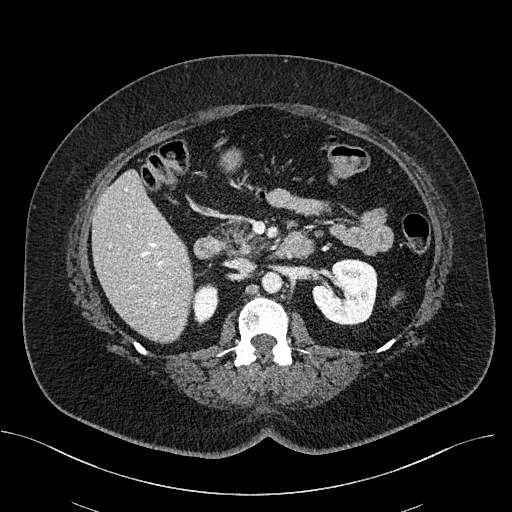
One axial slice (307 of 470, counting up from the lowest) of a contrast-enhanced abdominal CT acquired with 100 kVp, kernel I40f; each pixel is 0.824 mm and the slice is 2.00 mm thick.
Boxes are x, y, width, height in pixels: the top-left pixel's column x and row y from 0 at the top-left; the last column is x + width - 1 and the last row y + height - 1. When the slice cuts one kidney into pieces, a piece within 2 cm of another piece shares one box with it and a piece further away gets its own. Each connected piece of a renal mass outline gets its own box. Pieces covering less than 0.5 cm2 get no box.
Two kidney boxes on this slice; by box centre, from the image's left to its right: (1) Right kidney at x 191, y 283, width 28, height 39 (outlined area 817 px, about 5.6 cm2). (2) Left kidney at x 312, y 259, width 66, height 67 (outlined area 3,368 px, about 22.9 cm2). No renal mass outline on this slice.